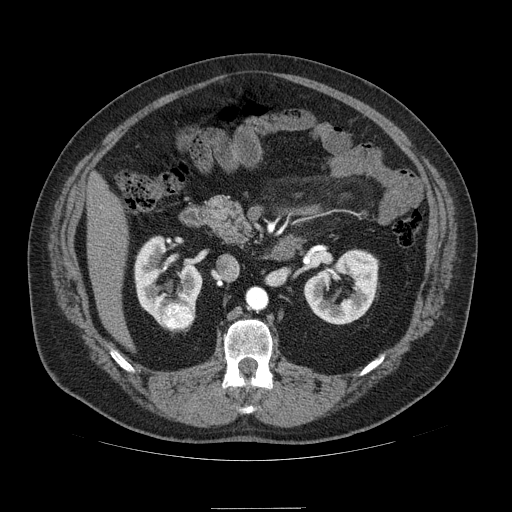
Arterial-phase contrast-enhanced abdominal CT, axial slice 54 of 121 (counted from the lowest slice); tube voltage 120 kVp, convolution kernel STANDARD; slices 2.50 mm thick, 0.861 mm per pixel.
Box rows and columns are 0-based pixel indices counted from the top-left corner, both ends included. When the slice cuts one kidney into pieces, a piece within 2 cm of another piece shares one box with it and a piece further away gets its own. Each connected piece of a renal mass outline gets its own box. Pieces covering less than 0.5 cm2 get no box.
Boxed on this slice (two kidney boxes and one renal mass box), listed by box centre from the image's left to its right: (1) Right kidney, box rows 236–321, columns 134–202 (outlined area 3,074 px, about 22.8 cm2). (2) Box rows 297–331, columns 158–195: right renal mass (outlined area 1,020 px, about 7.6 cm2). (3) Left kidney, box rows 249–324, columns 304–378 (outlined area 3,603 px, about 26.7 cm2).